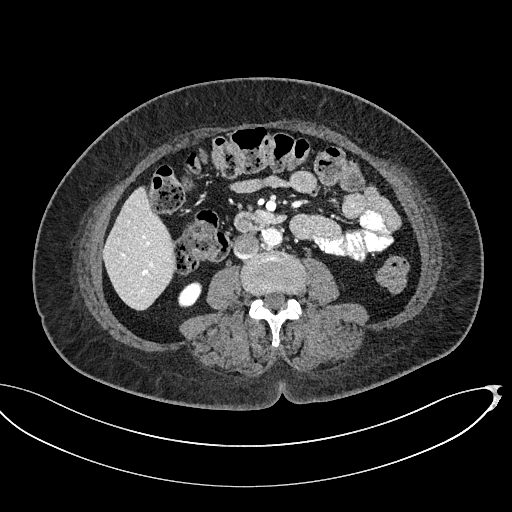
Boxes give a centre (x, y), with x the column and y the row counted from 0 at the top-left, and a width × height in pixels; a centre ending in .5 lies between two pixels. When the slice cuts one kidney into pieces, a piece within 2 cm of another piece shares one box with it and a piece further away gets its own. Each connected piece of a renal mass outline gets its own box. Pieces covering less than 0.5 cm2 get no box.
Contrast-enhanced abdominal CT, axial slice 256 of 439 (counted from the lowest slice); 2.00 mm thick, 0.850 mm per pixel. Box centre (189.5, 294), 24 × 27 pixels: right kidney (outlined area 459 px, about 3.3 cm2). No renal mass outline on this slice.
Acquired at 100 kVp and reconstructed with the I40f kernel.